One axial slice (359 of 787, counting up from the lowest) of a contrast-enhanced abdominal CT acquired with 140 kVp, kernel I30f; each pixel is 0.910 mm and the slice is 1.00 mm thick.
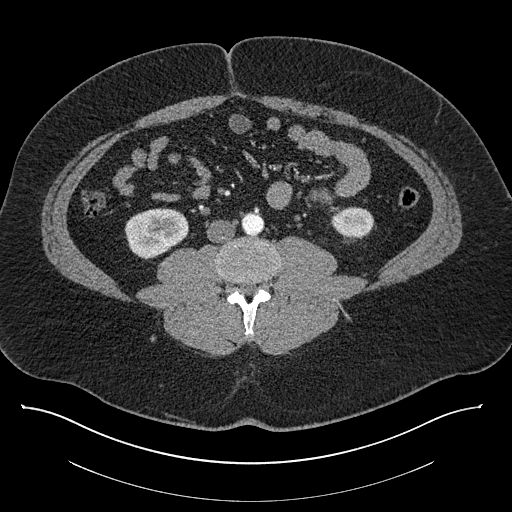
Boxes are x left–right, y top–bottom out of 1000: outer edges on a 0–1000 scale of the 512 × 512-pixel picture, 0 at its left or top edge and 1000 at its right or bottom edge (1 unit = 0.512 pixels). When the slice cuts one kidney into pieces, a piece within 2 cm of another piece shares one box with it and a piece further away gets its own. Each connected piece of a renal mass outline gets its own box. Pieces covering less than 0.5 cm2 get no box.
Boxed on this slice (two kidney boxes), listed by box centre from the image's left to its right: (1) Right kidney, box x 242–369, y 406–504 out of 1000 (outlined area 2,466 px, about 20.4 cm2). (2) Left kidney at x 646–732, y 402–467 out of 1000 (outlined area 1,113 px, about 9.2 cm2). No renal mass is outlined on this slice.